One axial slice (333 of 787, counting up from the lowest) of a contrast-enhanced abdominal CT acquired with 140 kVp, kernel I30f; each pixel is 0.910 mm and the slice is 1.00 mm thick.
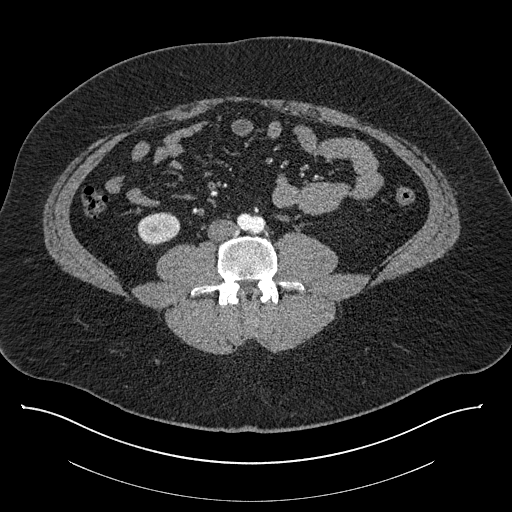
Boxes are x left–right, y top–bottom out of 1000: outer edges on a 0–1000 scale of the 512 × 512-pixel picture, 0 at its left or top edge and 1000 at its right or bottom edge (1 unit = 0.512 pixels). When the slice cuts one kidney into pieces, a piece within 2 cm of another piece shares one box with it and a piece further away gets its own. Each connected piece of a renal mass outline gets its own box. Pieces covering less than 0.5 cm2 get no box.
Right kidney at x 268–354, y 414–482 out of 1000 (outlined area 1,130 px, about 9.4 cm2). This slice carries no renal mass outline.